One axial slice (313 of 591, counting up from the lowest) of an arterial-phase abdominal CT acquired with 140 kVp, kernel I30f; each pixel is 0.703 mm and the slice is 1.00 mm thick.
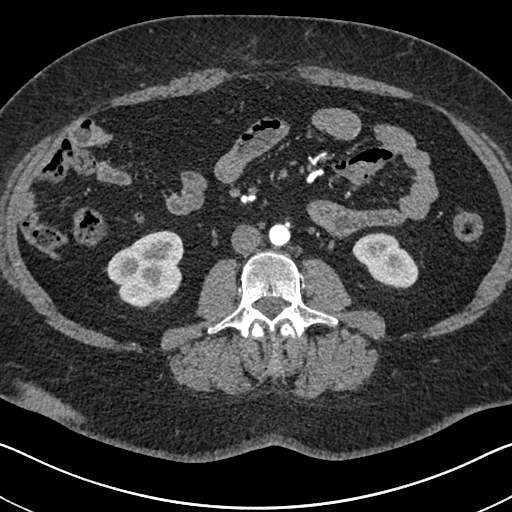
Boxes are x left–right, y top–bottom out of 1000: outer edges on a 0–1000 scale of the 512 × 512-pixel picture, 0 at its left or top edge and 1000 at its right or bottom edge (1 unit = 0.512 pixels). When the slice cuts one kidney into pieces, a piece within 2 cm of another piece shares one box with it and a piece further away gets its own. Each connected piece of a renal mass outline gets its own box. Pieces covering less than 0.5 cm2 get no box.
Two boxes on this slice (two kidney boxes), listed by box centre from the image's left to its right. (1) Right kidney, box x 211–359, y 449–602 out of 1000 (outlined area 4,299 px, about 21.3 cm2). (2) Left kidney at x 688–818, y 453–564 out of 1000 (outlined area 2,507 px, about 12.4 cm2). This slice carries no renal mass outline.